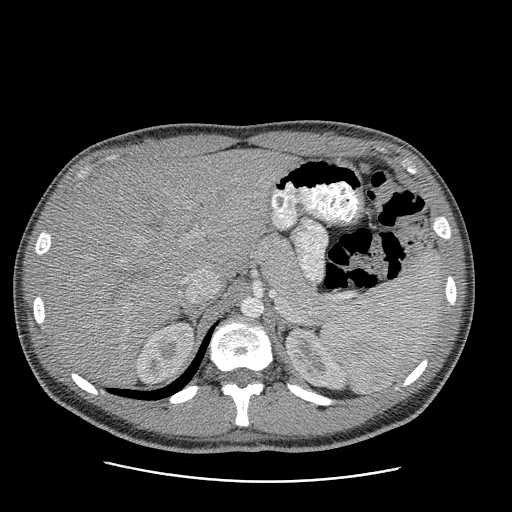
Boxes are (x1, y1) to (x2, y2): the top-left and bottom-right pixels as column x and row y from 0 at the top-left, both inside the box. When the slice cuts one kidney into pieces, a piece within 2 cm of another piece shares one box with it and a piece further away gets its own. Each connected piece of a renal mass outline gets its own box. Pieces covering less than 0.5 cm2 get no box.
This is axial slice 168 of 199 (slice 1 is the lowest) of an arterial-phase abdominal CT with contrast; each pixel is 0.789 mm and the slice is 2.50 mm thick. Two kidney boxes on this slice; by box centre, from the image's left to its right: (1) Box (135, 322) to (193, 384): right kidney (outlined area 2,478 px, about 15.4 cm2). (2) Left kidney from (284, 328) to (346, 390) (outlined area 2,409 px, about 15.0 cm2). No renal mass is outlined on this slice.
Scan settings: 120 kVp, STANDARD reconstruction kernel.